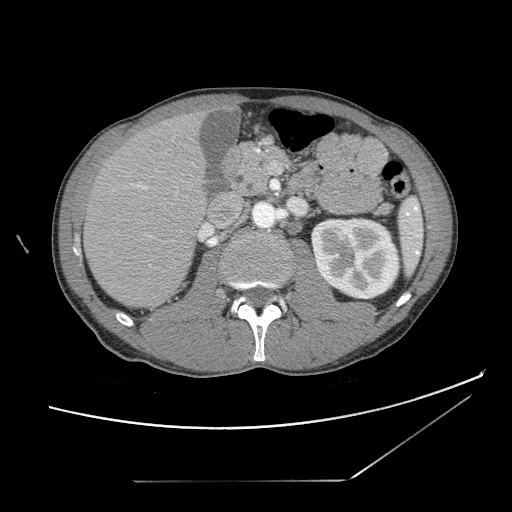
Axial slice 67 of 121 of a contrast-enhanced abdominal CT (slice 1 is the lowest), 120 kVp, kernel STANDARD; 2.50 mm slice thickness and 0.742 mm pixels.
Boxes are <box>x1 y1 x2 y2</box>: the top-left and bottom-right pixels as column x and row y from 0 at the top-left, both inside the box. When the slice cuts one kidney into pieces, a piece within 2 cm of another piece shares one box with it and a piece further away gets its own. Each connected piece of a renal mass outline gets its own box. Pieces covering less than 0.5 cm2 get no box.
Left kidney at <box>311 217 399 299</box> (outlined area 5,785 px, about 31.9 cm2). No renal mass outline on this slice.